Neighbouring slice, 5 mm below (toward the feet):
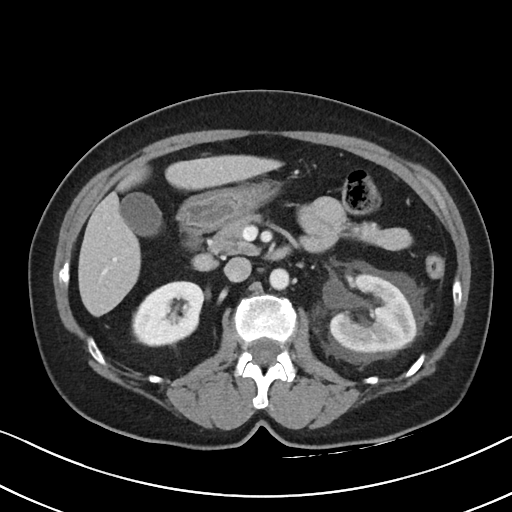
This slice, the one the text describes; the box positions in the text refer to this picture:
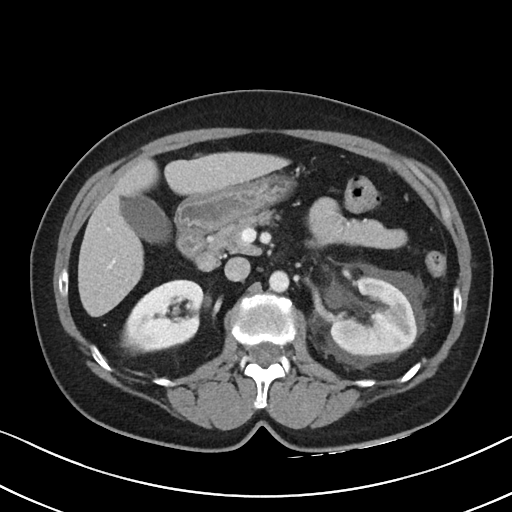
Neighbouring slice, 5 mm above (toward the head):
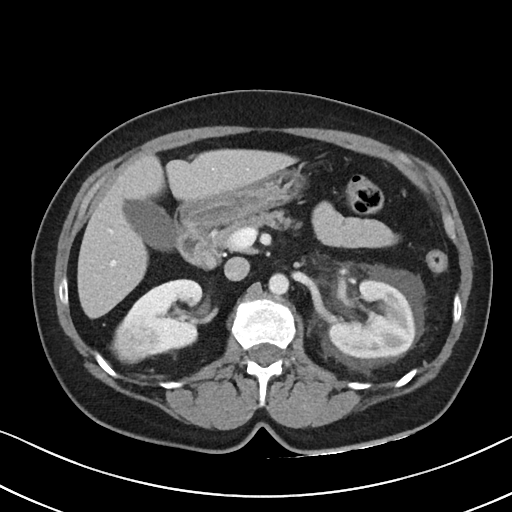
One axial slice (59 of 88, counting up from the lowest) of a contrast-enhanced abdominal CT acquired with 100 kVp, kernel I40f; each pixel is 0.674 mm and the slice is 5.00 mm thick.
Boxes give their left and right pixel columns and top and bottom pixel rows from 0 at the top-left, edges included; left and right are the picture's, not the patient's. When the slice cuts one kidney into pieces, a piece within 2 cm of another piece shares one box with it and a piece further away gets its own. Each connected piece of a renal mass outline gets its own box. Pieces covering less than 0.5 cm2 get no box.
Two kidney boxes and one renal mass box on this slice; by box centre, from the image's left to its right: (1) Right renal mass, the box with left 120, top 326, right 144, bottom 354 (outlined area 290 px, about 1.3 cm2). (2) Right kidney in the box with left 125, top 280, right 202, bottom 350 (outlined area 3,869 px, about 17.6 cm2). (3) Box with left 330, top 278, right 417, bottom 355: left kidney (outlined area 5,047 px, about 22.9 cm2). This slice lies near the end of the right renal mass toward the feet; the slices 5 mm below and 5 mm above it are shown too, and the boxes mark positions on this slice only.